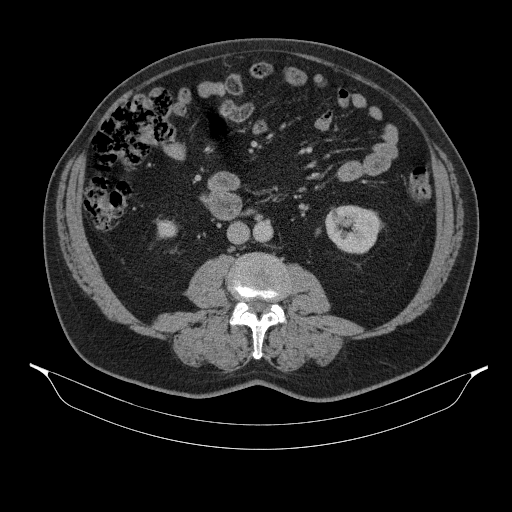
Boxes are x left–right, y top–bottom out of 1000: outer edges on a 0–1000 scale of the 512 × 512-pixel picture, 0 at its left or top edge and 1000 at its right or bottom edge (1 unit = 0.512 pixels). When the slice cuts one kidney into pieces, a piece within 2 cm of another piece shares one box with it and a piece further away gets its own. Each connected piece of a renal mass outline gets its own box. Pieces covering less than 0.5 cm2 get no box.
This is axial slice 172 of 314 (slice 1 is the lowest) of an abdominal CT with contrast; each pixel is 0.934 mm and the slice is 2.50 mm thick. Two kidney boxes on this slice; by box centre, from the image's left to its right: (1) Right kidney, box x 307–348, y 430–467 out of 1000 (outlined area 326 px, about 2.8 cm2). (2) Left kidney, box x 635–750, y 400–496 out of 1000 (outlined area 2,180 px, about 19.0 cm2). No renal mass outline on this slice.
Tube voltage 130 kVp; convolution kernel B31s.